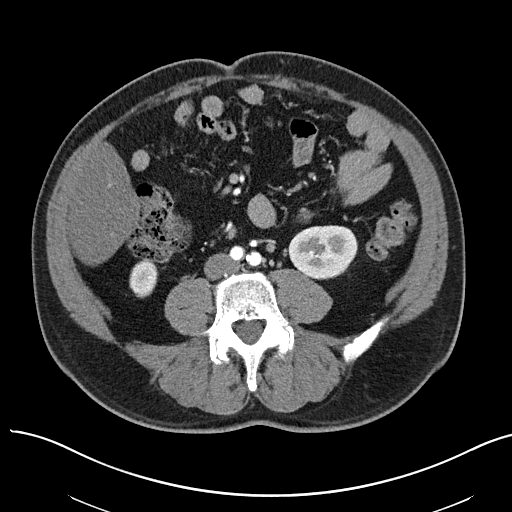
Abdominal CT with intravenous contrast, arterial phase, axial plane, 100 kVp, kernel I40f. Slice 12/97 from the bottom of the scan; thickness 3.00 mm; pixel size 0.797 mm.
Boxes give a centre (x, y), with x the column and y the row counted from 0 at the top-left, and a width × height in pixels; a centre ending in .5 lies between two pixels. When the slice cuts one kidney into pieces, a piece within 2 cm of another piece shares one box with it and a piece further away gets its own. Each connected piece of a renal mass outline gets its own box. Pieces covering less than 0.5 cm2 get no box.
Two boxes on this slice (two kidney boxes), listed by box centre from the image's left to its right. (1) Right kidney, box centre (143, 278), 29 × 39 pixels (outlined area 863 px, about 5.5 cm2). (2) Left kidney, box centre (322.5, 252), 70 × 55 pixels (outlined area 3,022 px, about 19.2 cm2). This slice carries no renal mass outline.